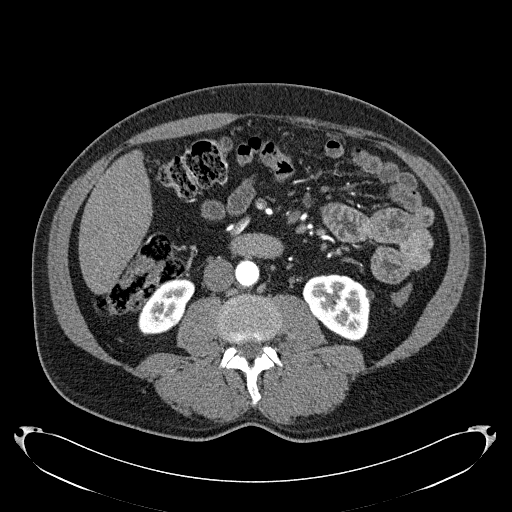
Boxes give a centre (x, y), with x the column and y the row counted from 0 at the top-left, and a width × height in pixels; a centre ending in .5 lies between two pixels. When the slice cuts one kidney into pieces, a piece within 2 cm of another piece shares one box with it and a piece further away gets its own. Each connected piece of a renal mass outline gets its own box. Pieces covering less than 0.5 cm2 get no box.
Arterial-phase contrast-enhanced abdominal CT, axial slice 85 of 279 (counted from the lowest slice); 2.00 mm thick, 0.824 mm per pixel. Two boxes on this slice (two kidney boxes), listed by box centre from the image's left to its right. (1) Box centre (166, 306), 57 × 59 pixels: right kidney (outlined area 2,144 px, about 14.6 cm2). (2) Left kidney, box centre (336.5, 307.5), 70 × 68 pixels (outlined area 3,380 px, about 23.0 cm2). This slice carries no renal mass outline.
Tube voltage 120 kVp; convolution kernel B31f.